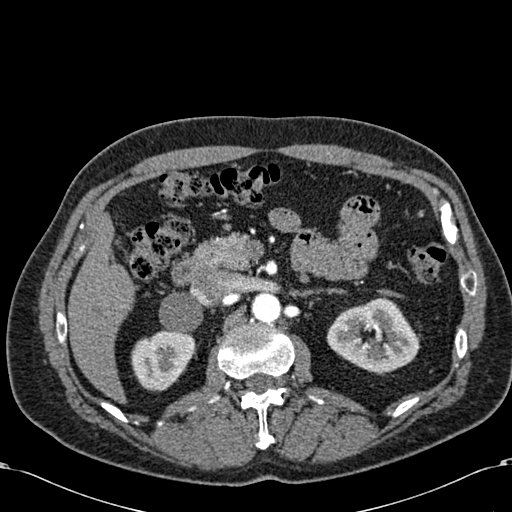
Abdominal CT with intravenous contrast, arterial phase, axial plane, 120 kVp, kernel B30f. Slice 393/581 from the bottom of the scan; thickness 1.00 mm; pixel size 0.713 mm.
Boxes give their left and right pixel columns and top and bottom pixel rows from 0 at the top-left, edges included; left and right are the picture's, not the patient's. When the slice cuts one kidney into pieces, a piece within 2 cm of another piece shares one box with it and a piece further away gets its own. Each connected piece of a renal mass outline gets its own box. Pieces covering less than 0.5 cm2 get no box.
Boxed on this slice (two kidney boxes), listed by box centre from the image's left to its right: (1) Right kidney in the box with left 131, top 329, right 195, bottom 391 (outlined area 2,960 px, about 15.0 cm2). (2) Box with left 326, top 295, right 420, bottom 372: left kidney (outlined area 4,912 px, about 25.0 cm2). No renal mass outline on this slice.